One axial slice (596 of 735, counting up from the lowest) of an arterial-phase abdominal CT acquired with 120 kVp, kernel I30f; each pixel is 0.789 mm and the slice is 1.00 mm thick.
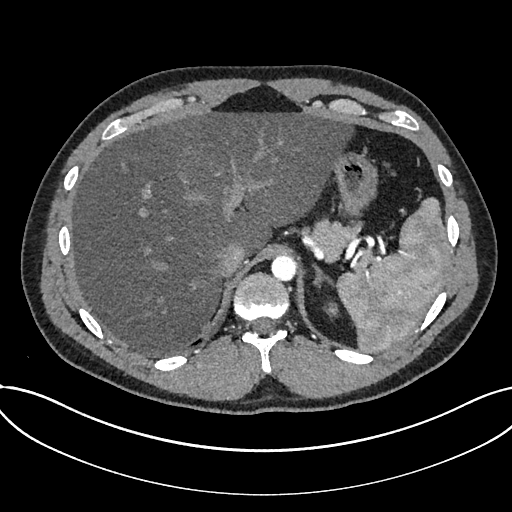
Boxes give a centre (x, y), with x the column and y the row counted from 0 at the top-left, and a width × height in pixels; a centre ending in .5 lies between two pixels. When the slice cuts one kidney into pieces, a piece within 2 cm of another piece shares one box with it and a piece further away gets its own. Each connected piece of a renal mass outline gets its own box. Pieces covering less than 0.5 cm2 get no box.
Kidney, box centre (331.5, 309.5), 14 × 16 pixels (outlined area 171 px, about 1.1 cm2). No renal mass is outlined on this slice.